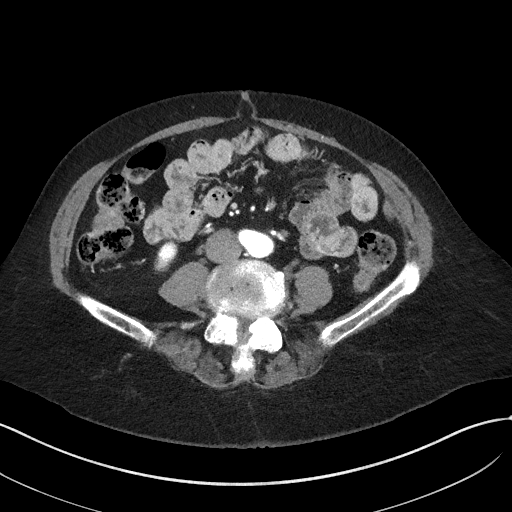
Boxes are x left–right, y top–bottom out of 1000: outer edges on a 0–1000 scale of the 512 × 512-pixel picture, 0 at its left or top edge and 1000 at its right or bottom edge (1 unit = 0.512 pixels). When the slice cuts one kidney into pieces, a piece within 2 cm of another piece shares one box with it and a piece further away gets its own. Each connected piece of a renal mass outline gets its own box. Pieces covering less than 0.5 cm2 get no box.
This is axial slice 2 of 50 (slice 1 is the lowest) of an arterial-phase abdominal CT with contrast; each pixel is 0.758 mm and the slice is 3.00 mm thick. Box x 301–348, y 473–531 out of 1000: right kidney (outlined area 515 px, about 3.0 cm2). No renal mass outline on this slice.
Scan settings: 100 kVp, I41f reconstruction kernel.